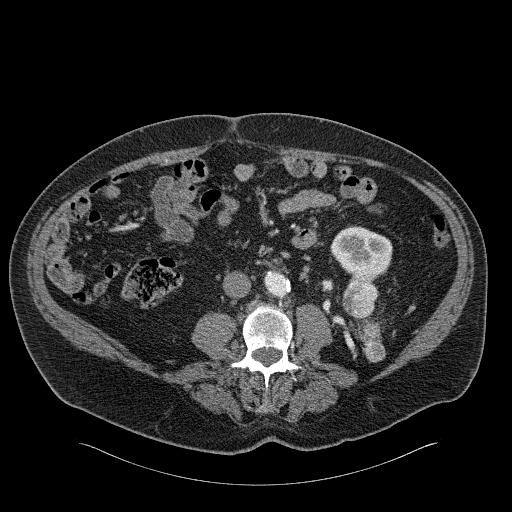
Arterial-phase contrast-enhanced abdominal CT, axial slice 71 of 326 (counted from the lowest slice); tube voltage 120 kVp, convolution kernel B31f; slices 2.00 mm thick, 0.963 mm per pixel.
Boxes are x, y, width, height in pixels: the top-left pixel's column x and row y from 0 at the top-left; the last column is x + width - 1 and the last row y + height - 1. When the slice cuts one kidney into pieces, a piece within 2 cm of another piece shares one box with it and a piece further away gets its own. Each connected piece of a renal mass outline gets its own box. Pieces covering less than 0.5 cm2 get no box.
One kidney box and two renal mass boxes on this slice; by box centre, from the image's left to its right: (1) Left renal mass at x 342, y 278, width 37, height 50 (outlined area 1,279 px, about 11.9 cm2). (2) Left kidney at x 330, y 225, width 63, height 53 (outlined area 2,455 px, about 22.8 cm2). (3) Left renal mass, box x 360, y 330, width 26, height 33 (outlined area 591 px, about 5.5 cm2); it sits over 1 cm from every kidney outline on this slice, but the same outlined renal mass comes within 1 cm of the kidney on another slice.